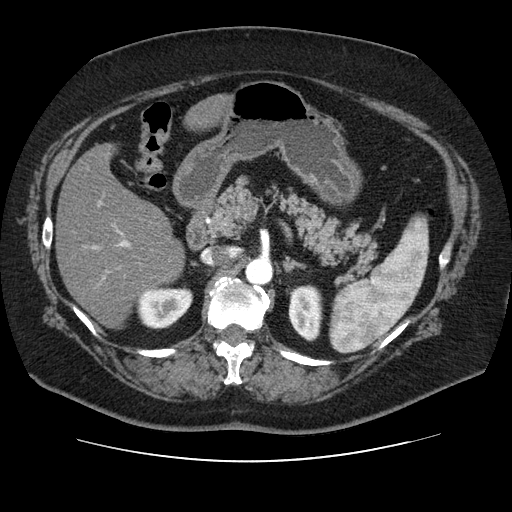
One axial slice (69 of 106, counting up from the lowest) of an arterial-phase abdominal CT acquired with 120 kVp, kernel STANDARD; each pixel is 0.742 mm and the slice is 2.50 mm thick.
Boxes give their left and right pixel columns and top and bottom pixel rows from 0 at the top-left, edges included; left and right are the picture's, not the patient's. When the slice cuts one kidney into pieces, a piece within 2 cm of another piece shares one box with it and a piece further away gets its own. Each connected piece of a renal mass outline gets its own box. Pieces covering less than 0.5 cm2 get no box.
Two kidney boxes on this slice; by box centre, from the image's left to its right: (1) Right kidney in the box with left 136, top 287, right 192, bottom 329 (outlined area 1,888 px, about 10.4 cm2). (2) Box with left 288, top 284, right 322, bottom 341: left kidney (outlined area 1,618 px, about 8.9 cm2). No renal mass outline on this slice.